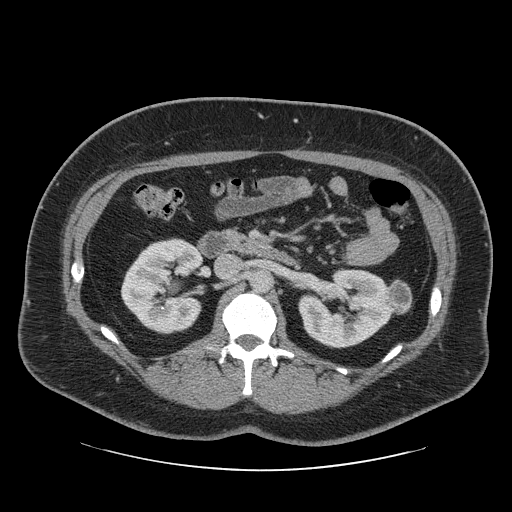
Abdominal CT with intravenous contrast, arterial phase, axial plane, 120 kVp, kernel STANDARD. Slice 36/69 from the bottom of the scan; thickness 2.50 mm; pixel size 0.846 mm.
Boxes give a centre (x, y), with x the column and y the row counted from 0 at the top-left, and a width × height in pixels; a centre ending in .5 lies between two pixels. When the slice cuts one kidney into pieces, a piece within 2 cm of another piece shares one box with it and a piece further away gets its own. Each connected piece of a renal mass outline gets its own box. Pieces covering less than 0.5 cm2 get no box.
Three boxes on this slice (two kidney boxes and one renal mass box), listed by box centre from the image's left to its right. (1) Right kidney in a box with centre (162.5, 286), 84 × 97 pixels (outlined area 6,015 px, about 43.0 cm2). (2) Left kidney in a box with centre (345.5, 308), 96 × 81 pixels (outlined area 5,428 px, about 38.8 cm2). (3) Left renal mass in a box with centre (398, 296.5), 29 × 36 pixels (outlined area 800 px, about 5.7 cm2).